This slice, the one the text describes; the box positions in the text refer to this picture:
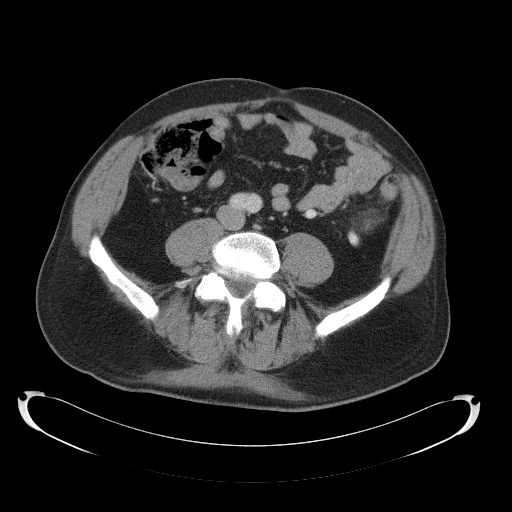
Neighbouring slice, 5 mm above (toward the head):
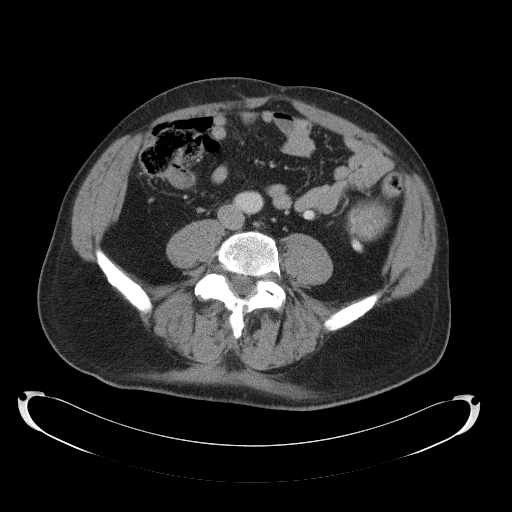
One axial slice (50 of 145, counting up from the lowest) of a contrast-enhanced abdominal CT acquired with 120 kVp, kernel B41f; each pixel is 0.859 mm and the slice is 5.00 mm thick.
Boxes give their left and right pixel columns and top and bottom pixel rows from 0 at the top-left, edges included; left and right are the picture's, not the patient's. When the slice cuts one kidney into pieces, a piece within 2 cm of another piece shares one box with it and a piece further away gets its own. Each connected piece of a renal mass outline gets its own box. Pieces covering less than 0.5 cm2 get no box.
Boxed on this slice (two renal mass boxes), listed by box centre from the image's left to its right: (1) Left renal mass, the box with left 347, top 228, right 359, bottom 246 (outlined area 159 px, about 1.2 cm2); no kidney is outlined on this slice, but the same outlined renal mass comes within 1 cm of the kidney on another slice. (2) Left renal mass in the box with left 361, top 216, right 382, bottom 230 (outlined area 161 px, about 1.2 cm2); this slice has no kidney outline, though on another slice the same outlined renal mass lies within 1 cm of the kidney. This slice lies near the end of the left renal mass toward the feet; the slice 5 mm above it is shown too, and the boxes mark positions on this slice only.